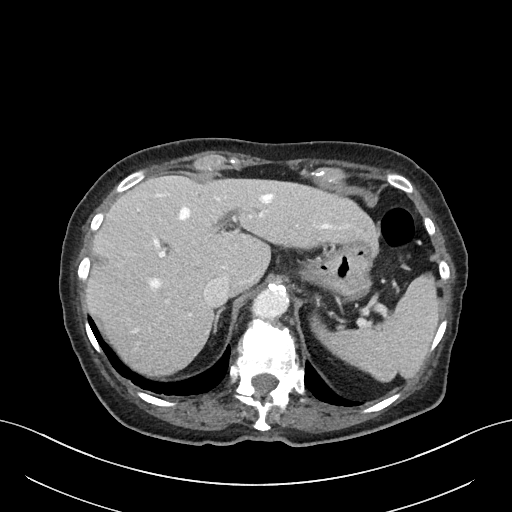
Contrast-enhanced abdominal CT, axial slice 55 of 76 (counted from the lowest slice); tube voltage 100 kVp, convolution kernel I40f; slices 3.00 mm thick, 0.768 mm per pixel.
This slice carries no outline: it lies beyond the outlined kidneys and beyond every outlined renal mass. Other organs are not outlined in this scan.